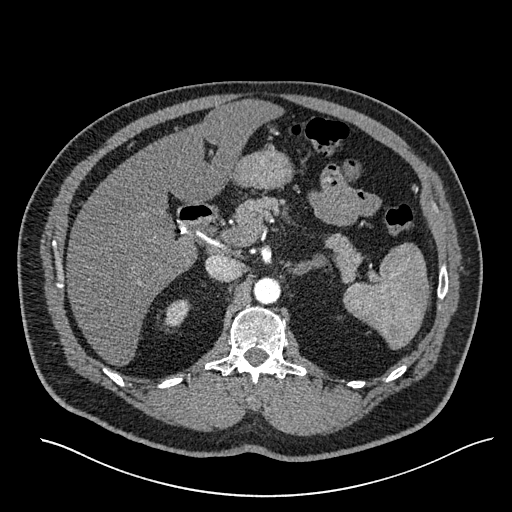
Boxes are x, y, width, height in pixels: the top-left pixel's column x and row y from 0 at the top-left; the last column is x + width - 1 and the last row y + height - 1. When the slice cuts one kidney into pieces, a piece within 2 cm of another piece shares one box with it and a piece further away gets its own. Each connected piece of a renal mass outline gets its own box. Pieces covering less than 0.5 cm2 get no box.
Arterial-phase contrast-enhanced abdominal CT, axial slice 406 of 527 (counted from the lowest slice); 1.00 mm thick, 0.859 mm per pixel. Right kidney, box x 164, y 299, width 27, height 29 (outlined area 542 px, about 4.0 cm2). This slice carries no renal mass outline.
Acquired at 120 kVp and reconstructed with the I30f kernel.